Axial slice 31 of 57 of a contrast-enhanced abdominal CT (slice 1 is the lowest), 120 kVp, kernel B31f; 5.00 mm slice thickness and 0.732 mm pixels.
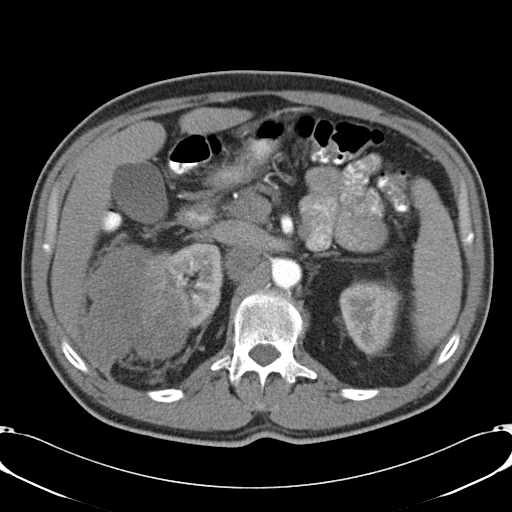
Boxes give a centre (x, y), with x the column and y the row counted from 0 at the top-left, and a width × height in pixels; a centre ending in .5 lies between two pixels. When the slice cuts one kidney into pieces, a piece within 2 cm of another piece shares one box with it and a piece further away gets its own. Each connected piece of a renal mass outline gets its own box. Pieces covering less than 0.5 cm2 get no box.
Boxed on this slice (two kidney boxes and one renal mass box), listed by box centre from the image's left to its right: (1) Right renal mass, box centre (133, 304), 115 × 123 pixels (outlined area 10,377 px, about 55.7 cm2). (2) Right kidney in a box with centre (192.5, 285.5), 62 × 86 pixels (outlined area 3,288 px, about 17.6 cm2). (3) Box centre (370.5, 316.5), 64 × 76 pixels: left kidney (outlined area 3,554 px, about 19.1 cm2).